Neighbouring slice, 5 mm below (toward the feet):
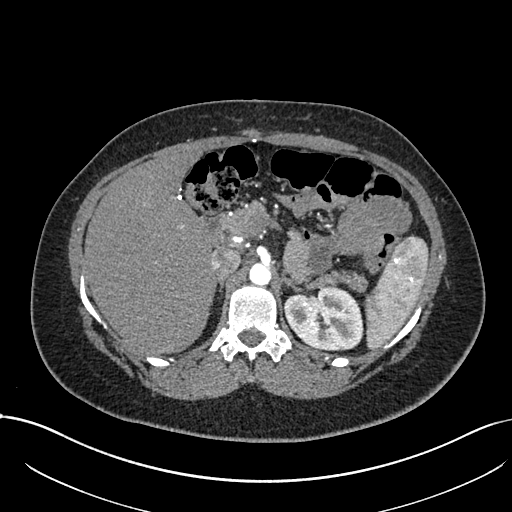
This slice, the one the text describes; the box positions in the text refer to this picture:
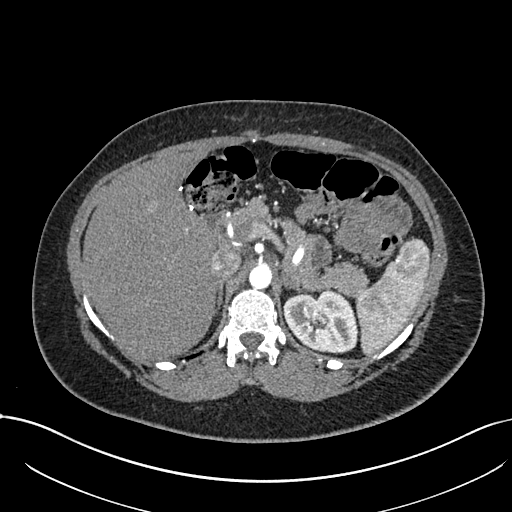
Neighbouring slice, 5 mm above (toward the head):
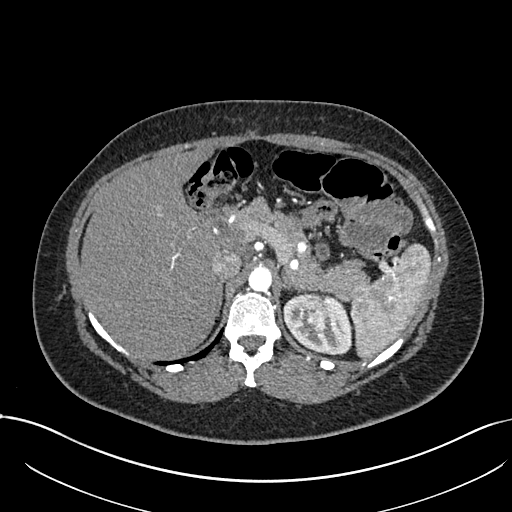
Arterial-phase contrast-enhanced abdominal CT, axial slice 521 of 738 (counted from the lowest slice); tube voltage 120 kVp, convolution kernel I30f; slices 1.00 mm thick, 0.789 mm per pixel.
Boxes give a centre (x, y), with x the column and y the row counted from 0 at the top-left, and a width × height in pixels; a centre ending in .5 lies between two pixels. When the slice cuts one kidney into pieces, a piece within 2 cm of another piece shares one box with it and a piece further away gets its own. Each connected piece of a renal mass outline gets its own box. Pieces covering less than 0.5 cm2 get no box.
Boxed on this slice (one kidney box and one renal mass box), listed by box centre from the image's left to its right: (1) Left renal mass, box centre (314, 308), 17 × 15 pixels (outlined area 192 px, about 1.2 cm2). (2) Box centre (320.5, 321.5), 76 × 64 pixels: left kidney (outlined area 3,531 px, about 22.0 cm2). This slice is near the end of the left renal mass toward the feet, so the slices 5 mm below and 5 mm above it are shown as well; the boxes refer to this slice only.